One axial slice (758 of 987, counting up from the lowest) of an arterial-phase abdominal CT acquired with 120 kVp, kernel I26f; each pixel is 0.977 mm and the slice is 1.00 mm thick.
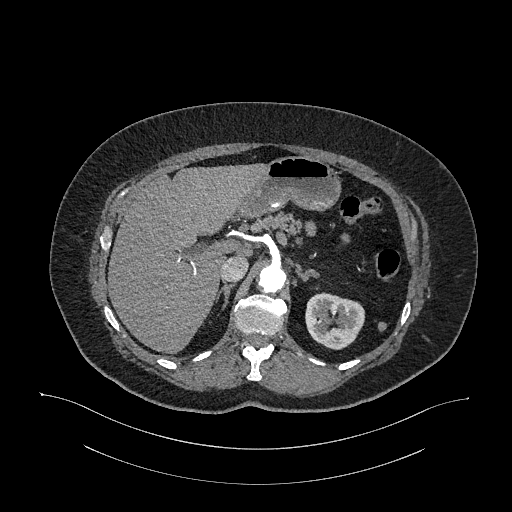
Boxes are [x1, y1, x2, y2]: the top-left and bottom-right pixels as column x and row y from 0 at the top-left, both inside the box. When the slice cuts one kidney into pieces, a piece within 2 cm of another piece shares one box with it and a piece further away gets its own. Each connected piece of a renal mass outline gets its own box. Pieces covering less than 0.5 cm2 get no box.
Box [305, 292, 364, 349]: left kidney (outlined area 2,629 px, about 25.1 cm2). No renal mass is outlined on this slice.